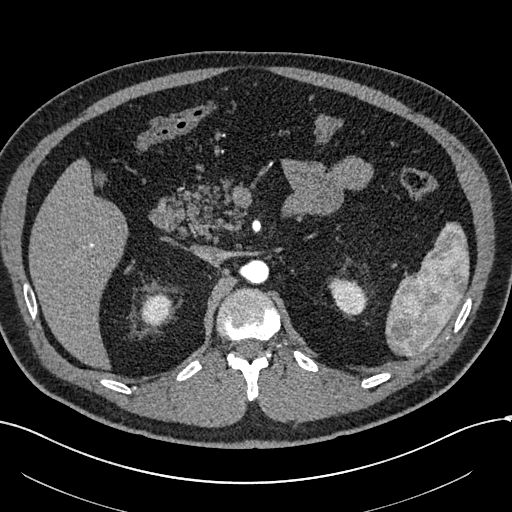
One axial slice (412 of 602, counting up from the lowest) of an arterial-phase abdominal CT acquired with 120 kVp, kernel I30f; each pixel is 0.799 mm and the slice is 1.00 mm thick.
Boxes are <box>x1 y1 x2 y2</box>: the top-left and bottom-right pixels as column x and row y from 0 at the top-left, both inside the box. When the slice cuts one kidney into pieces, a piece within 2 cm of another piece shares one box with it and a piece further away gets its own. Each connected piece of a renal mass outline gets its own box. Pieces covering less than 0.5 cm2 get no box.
Two kidney boxes on this slice; by box centre, from the image's left to its right: (1) Right kidney: <box>140 293 172 325</box> (outlined area 844 px, about 5.4 cm2). (2) At <box>329 278 366 314</box>: left kidney (outlined area 1,001 px, about 6.4 cm2). No renal mass outline on this slice.